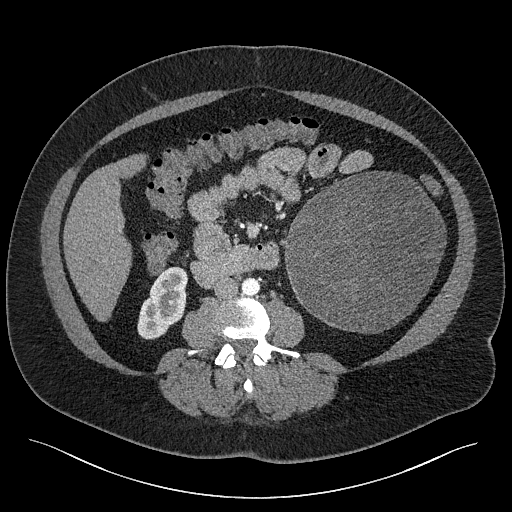
Contrast-enhanced abdominal CT, axial slice 99 of 301 (counted from the lowest slice); tube voltage 120 kVp, convolution kernel I40f; slices 2.00 mm thick, 0.859 mm per pixel.
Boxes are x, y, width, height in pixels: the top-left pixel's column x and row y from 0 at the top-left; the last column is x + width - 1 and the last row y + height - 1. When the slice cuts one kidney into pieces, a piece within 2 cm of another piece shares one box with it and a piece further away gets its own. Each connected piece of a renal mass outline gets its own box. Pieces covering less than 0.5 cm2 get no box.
Boxed on this slice (one kidney box and one renal mass box), listed by box centre from the image's left to its right: (1) Right kidney at x 137, y 266, width 52, height 74 (outlined area 2,545 px, about 18.8 cm2). (2) Left renal mass, box x 284, y 171, width 163, height 163 (outlined area 20,068 px, about 148.2 cm2); it sits over 1 cm from every kidney outline on this slice, but the same outlined renal mass comes within 1 cm of the kidney on another slice.